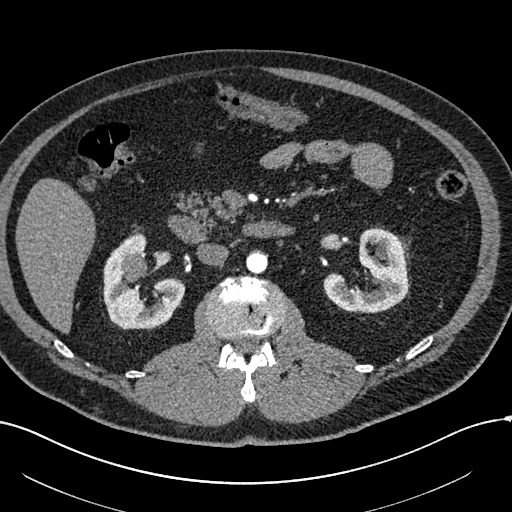
Axial slice 336 of 602 of a contrast-enhanced abdominal CT in the arterial phase (slice 1 is the lowest), 120 kVp, kernel I30f; 1.00 mm slice thickness and 0.799 mm pixels.
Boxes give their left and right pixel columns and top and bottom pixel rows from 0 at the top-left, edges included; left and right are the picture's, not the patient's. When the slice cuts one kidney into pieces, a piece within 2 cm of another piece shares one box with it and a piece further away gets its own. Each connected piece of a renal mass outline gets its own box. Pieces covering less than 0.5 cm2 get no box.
Three boxes on this slice (two kidney boxes and one renal mass box), listed by box centre from the image's left to its right. (1) Right renal mass in the box with left 120, top 253, right 147, bottom 282 (outlined area 626 px, about 4.0 cm2). (2) Right kidney in the box with left 103, top 233, right 185, bottom 329 (outlined area 4,427 px, about 28.2 cm2). (3) Left kidney in the box with left 323, top 228, right 408, bottom 313 (outlined area 4,388 px, about 28.0 cm2).